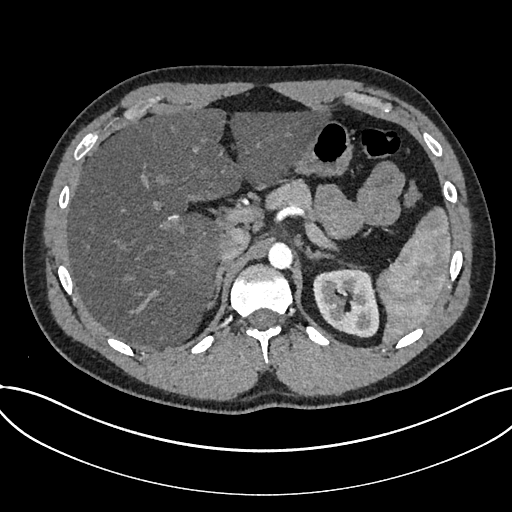
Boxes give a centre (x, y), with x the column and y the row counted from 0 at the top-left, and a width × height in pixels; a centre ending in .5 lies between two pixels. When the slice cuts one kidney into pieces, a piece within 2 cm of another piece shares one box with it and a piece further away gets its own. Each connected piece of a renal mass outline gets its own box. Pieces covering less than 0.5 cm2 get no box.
Slice 538/735 of a contrast-enhanced abdominal CT in the arterial phase, counting up from the lowest; pixel size 0.789 mm, slice thickness 1.00 mm. Kidney in a box with centre (346, 302.5), 67 × 70 pixels (outlined area 3,591 px, about 22.4 cm2). No renal mass outline on this slice.
Tube voltage 120 kVp; convolution kernel I30f.